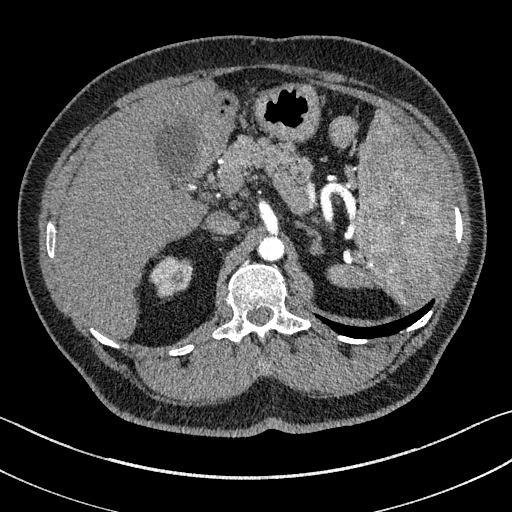
Arterial-phase contrast-enhanced abdominal CT, axial slice 113 of 195 (counted from the lowest slice); tube voltage 100 kVp, convolution kernel I31f; slices 1.50 mm thick, 0.707 mm per pixel.
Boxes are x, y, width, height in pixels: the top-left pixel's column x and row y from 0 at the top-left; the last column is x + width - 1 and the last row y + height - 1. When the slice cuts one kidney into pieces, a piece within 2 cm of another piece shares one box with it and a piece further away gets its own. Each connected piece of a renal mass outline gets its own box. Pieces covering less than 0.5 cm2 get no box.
Right kidney, box x 150, y 256, width 43, height 42 (outlined area 1,246 px, about 6.2 cm2). No renal mass outline on this slice.